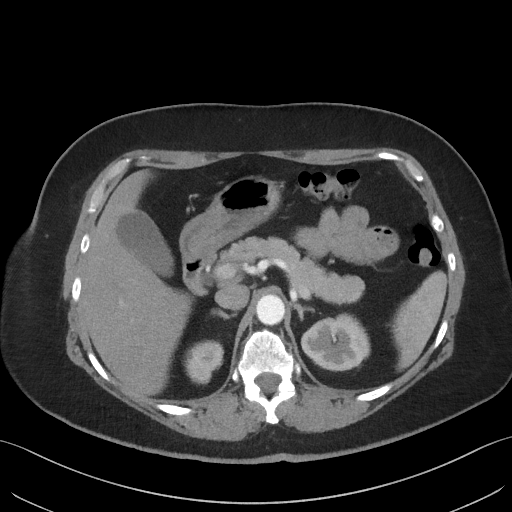
Contrast-enhanced abdominal CT, axial slice 42 of 69 (counted from the lowest slice); tube voltage 140 kVp, convolution kernel I41f; slices 3.00 mm thick, 0.736 mm per pixel.
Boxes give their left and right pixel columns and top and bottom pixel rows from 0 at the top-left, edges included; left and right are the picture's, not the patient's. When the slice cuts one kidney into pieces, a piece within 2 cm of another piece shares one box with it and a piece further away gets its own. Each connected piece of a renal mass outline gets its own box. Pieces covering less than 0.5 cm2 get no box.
Two kidney boxes on this slice; by box centre, from the image's left to its right: (1) Right kidney, the box with left 184, top 340, right 223, bottom 384 (outlined area 1,323 px, about 7.2 cm2). (2) Left kidney, the box with left 301, top 313, right 370, bottom 371 (outlined area 3,040 px, about 16.5 cm2). This slice carries no renal mass outline.